Axial slice 429 of 512 of a contrast-enhanced abdominal CT in the arterial phase (slice 1 is the lowest), 120 kVp, kernel B30f; 1.00 mm slice thickness and 0.771 mm pixels.
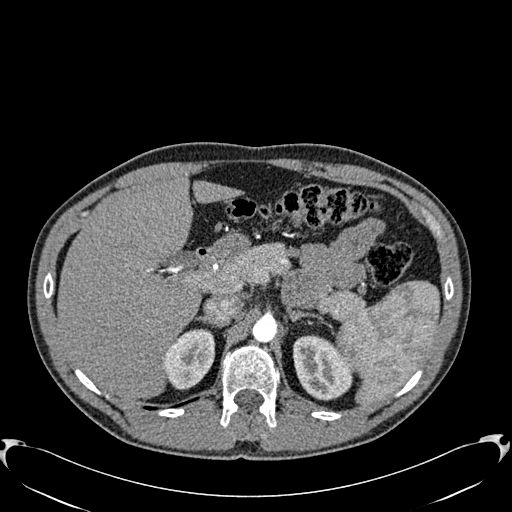
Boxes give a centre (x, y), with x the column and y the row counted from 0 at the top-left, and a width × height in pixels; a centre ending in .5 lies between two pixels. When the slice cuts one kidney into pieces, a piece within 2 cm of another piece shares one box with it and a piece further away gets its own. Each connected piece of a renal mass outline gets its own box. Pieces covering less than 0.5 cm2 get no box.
Three boxes on this slice (two kidney boxes and one renal mass box), listed by box centre from the image's left to its right. (1) Right kidney, box centre (188.5, 359), 52 × 61 pixels (outlined area 2,004 px, about 11.9 cm2). (2) Right renal mass in a box with centre (205, 358.5), 19 × 22 pixels (outlined area 318 px, about 1.9 cm2). (3) Left kidney in a box with centre (322.5, 367.5), 60 × 66 pixels (outlined area 2,895 px, about 17.2 cm2).